Axial slice 17 of 69 of a contrast-enhanced abdominal CT (slice 1 is the lowest), 140 kVp, kernel I41f; 3.00 mm slice thickness and 0.736 mm pixels.
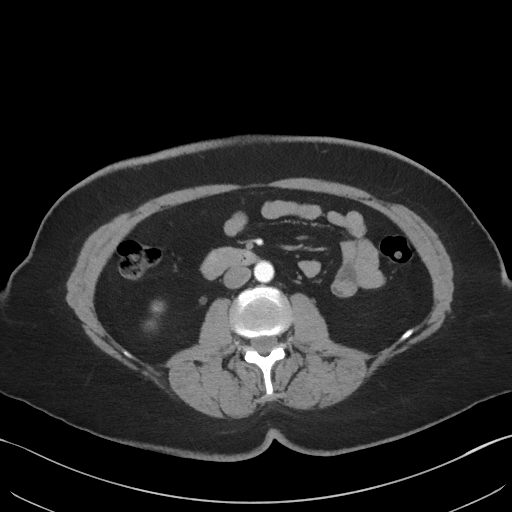
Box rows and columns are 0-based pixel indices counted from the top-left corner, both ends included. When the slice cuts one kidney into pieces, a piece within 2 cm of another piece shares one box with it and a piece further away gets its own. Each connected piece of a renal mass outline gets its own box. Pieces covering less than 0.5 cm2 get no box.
Box rows 301–316, columns 151–164: right kidney (outlined area 157 px, about 0.9 cm2). No renal mass is outlined on this slice.